Axial slice 242 of 445 of a contrast-enhanced abdominal CT in the arterial phase (slice 1 is the lowest), 120 kVp, kernel STANDARD; 1.25 mm slice thickness and 0.863 mm pixels.
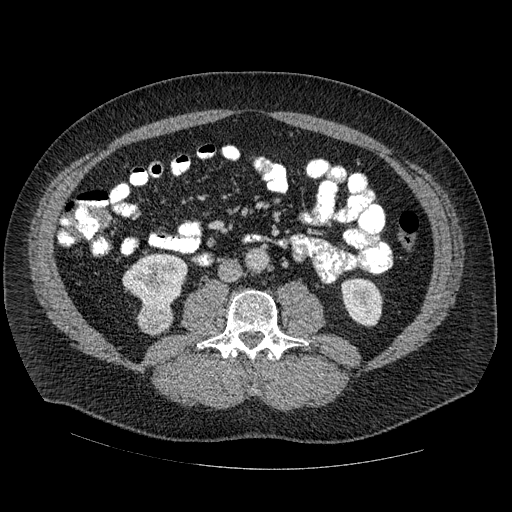
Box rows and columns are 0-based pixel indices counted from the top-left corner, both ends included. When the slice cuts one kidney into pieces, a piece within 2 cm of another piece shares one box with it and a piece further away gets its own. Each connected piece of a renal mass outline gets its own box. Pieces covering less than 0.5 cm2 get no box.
Two kidney boxes and one renal mass box on this slice; by box centre, from the image's left to its right: (1) Right kidney at rows 253–307, columns 122–188 (outlined area 2,648 px, about 19.7 cm2). (2) Box rows 303–335, columns 137–174: right renal mass (outlined area 940 px, about 7.0 cm2). (3) Left kidney at rows 279–327, columns 342–383 (outlined area 1,571 px, about 11.7 cm2).